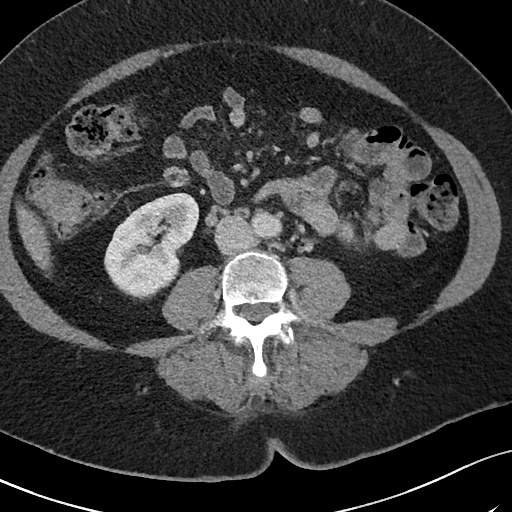
One axial slice (28 of 69, counting up from the lowest) of an arterial-phase abdominal CT acquired with 120 kVp, kernel I40f; each pixel is 0.664 mm and the slice is 3.00 mm thick.
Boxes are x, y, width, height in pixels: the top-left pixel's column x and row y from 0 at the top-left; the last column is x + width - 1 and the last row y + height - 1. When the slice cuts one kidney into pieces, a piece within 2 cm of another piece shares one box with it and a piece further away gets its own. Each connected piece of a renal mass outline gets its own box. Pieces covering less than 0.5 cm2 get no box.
Two kidney boxes on this slice; by box centre, from the image's left to its right: (1) Box x 104, y 192, width 96, height 109: right kidney (outlined area 6,791 px, about 29.9 cm2). (2) Left kidney at x 337, y 218, width 23, height 32 (outlined area 436 px, about 1.9 cm2). This slice carries no renal mass outline.